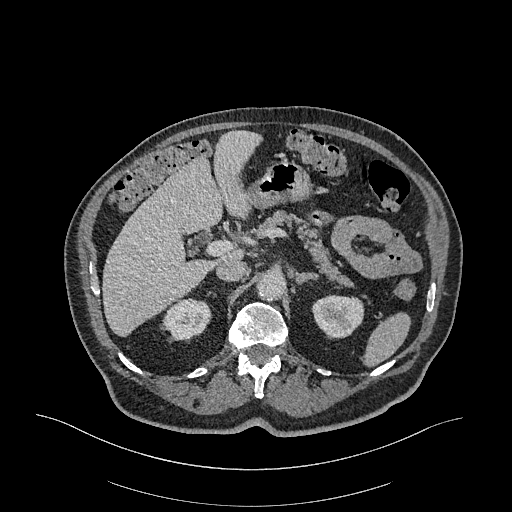
Axial slice 232 of 470 of a contrast-enhanced abdominal CT in the arterial phase (slice 1 is the lowest), 120 kVp, kernel I26f; 1.00 mm slice thickness and 0.938 mm pixels.
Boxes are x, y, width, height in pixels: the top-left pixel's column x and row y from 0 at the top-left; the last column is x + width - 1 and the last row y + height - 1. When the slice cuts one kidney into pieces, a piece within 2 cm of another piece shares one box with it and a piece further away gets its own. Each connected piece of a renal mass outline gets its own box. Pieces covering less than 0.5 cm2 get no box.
Two boxes on this slice (two kidney boxes), listed by box centre from the image's left to its right. (1) Box x 163, y 298, width 50, height 43: right kidney (outlined area 1,547 px, about 13.6 cm2). (2) Left kidney at x 311, y 295, width 54, height 44 (outlined area 1,812 px, about 15.9 cm2). This slice carries no renal mass outline.